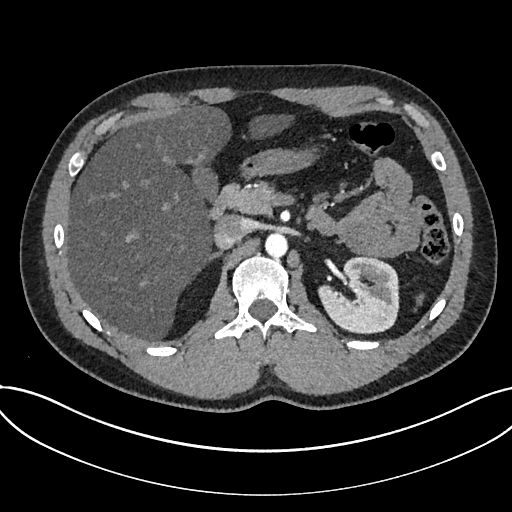
One axial slice (486 of 735, counting up from the lowest) of an arterial-phase abdominal CT acquired with 120 kVp, kernel I30f; each pixel is 0.789 mm and the slice is 1.00 mm thick.
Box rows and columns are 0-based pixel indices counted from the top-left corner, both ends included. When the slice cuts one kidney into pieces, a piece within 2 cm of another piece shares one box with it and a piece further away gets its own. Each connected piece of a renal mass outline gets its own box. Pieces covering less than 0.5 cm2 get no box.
Kidney, box rows 254–334, columns 318–399 (outlined area 4,801 px, about 29.9 cm2). This slice carries no renal mass outline.